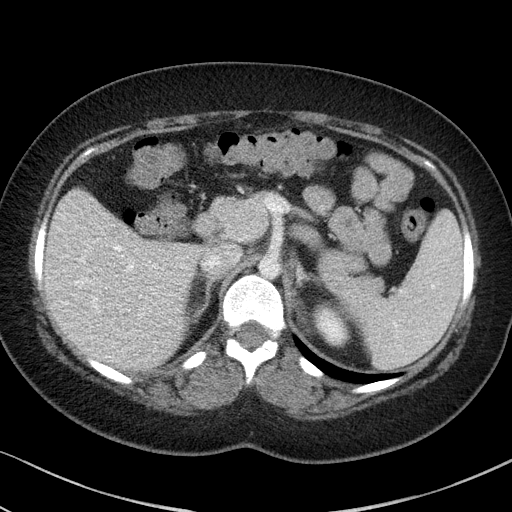
Abdominal CT with intravenous contrast, arterial phase, axial plane, 100 kVp, kernel I41f. Slice 63/85 from the bottom of the scan; thickness 5.00 mm; pixel size 0.664 mm.
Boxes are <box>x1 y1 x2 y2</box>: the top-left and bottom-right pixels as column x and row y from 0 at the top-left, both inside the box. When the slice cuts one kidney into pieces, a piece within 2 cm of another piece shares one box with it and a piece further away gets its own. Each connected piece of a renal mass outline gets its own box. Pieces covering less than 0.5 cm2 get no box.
Left kidney: <box>314 307 348 346</box> (outlined area 937 px, about 4.1 cm2). No renal mass is outlined on this slice.